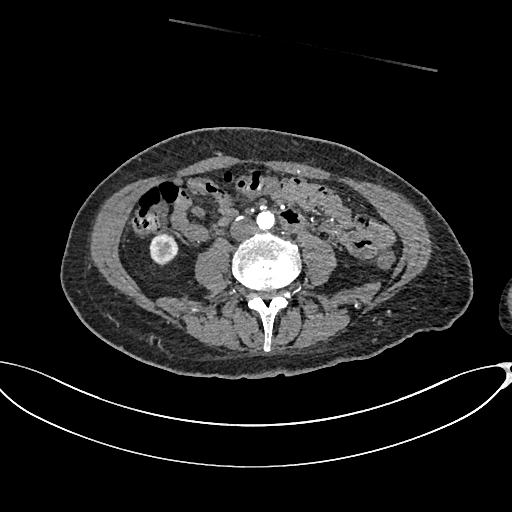
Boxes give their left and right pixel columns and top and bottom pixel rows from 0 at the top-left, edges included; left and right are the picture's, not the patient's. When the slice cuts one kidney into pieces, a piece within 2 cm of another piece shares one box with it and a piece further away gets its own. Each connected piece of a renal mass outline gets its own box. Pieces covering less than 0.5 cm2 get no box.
This is axial slice 279 of 665 (slice 1 is the lowest) of an arterial-phase abdominal CT with contrast; each pixel is 0.828 mm and the slice is 1.00 mm thick. Box with left 149, top 233, right 178, bottom 266: right kidney (outlined area 724 px, about 5.0 cm2). No renal mass is outlined on this slice.
Scan settings: 100 kVp, I26f reconstruction kernel.